One axial slice (378 of 634, counting up from the lowest) of an arterial-phase abdominal CT acquired with 120 kVp, kernel B20f; each pixel is 0.838 mm and the slice is 1.00 mm thick.
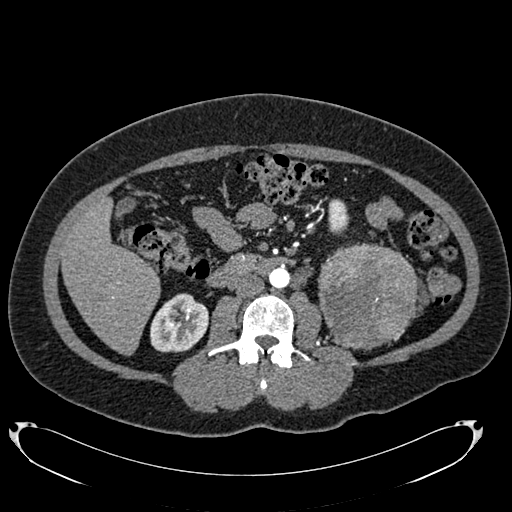
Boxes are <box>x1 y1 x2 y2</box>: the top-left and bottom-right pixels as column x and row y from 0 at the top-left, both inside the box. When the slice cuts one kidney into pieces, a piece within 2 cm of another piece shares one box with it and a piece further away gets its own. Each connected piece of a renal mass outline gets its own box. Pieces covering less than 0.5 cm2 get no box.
Boxed on this slice (two kidney boxes and one renal mass box), listed by box centre from the image's left to its right: (1) At <box>150 293 208 352</box>: right kidney (outlined area 2,656 px, about 18.6 cm2). (2) Left kidney: <box>328 198 349 234</box> (outlined area 634 px, about 4.5 cm2). (3) Left renal mass: <box>317 242 418 349</box> (outlined area 8,626 px, about 60.6 cm2); it sits over 1 cm from every kidney outline on this slice, but the same outlined renal mass comes within 1 cm of the kidney on another slice.